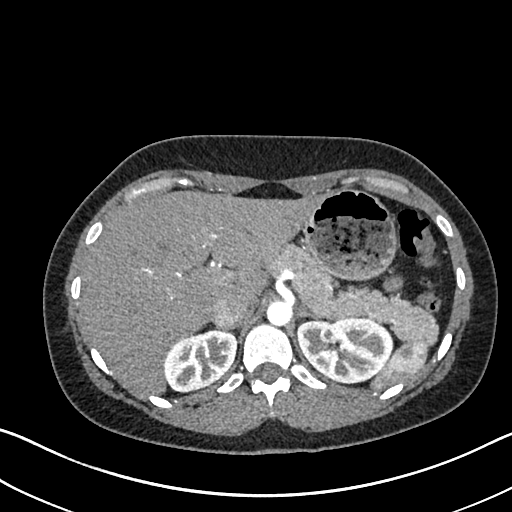
One axial slice (510 of 612, counting up from the lowest) of an arterial-phase abdominal CT acquired with 120 kVp, kernel I30f; each pixel is 0.703 mm and the slice is 1.00 mm thick.
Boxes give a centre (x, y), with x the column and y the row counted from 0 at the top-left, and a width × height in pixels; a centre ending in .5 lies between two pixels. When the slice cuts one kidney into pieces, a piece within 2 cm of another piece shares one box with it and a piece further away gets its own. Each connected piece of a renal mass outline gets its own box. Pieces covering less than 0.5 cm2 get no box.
Boxed on this slice (two kidney boxes), listed by box centre from the image's left to its right: (1) Right kidney in a box with centre (199.5, 360), 74 × 63 pixels (outlined area 3,418 px, about 16.9 cm2). (2) Left kidney in a box with centre (345, 350), 97 × 67 pixels (outlined area 4,963 px, about 24.5 cm2). This slice carries no renal mass outline.